Arterial-phase contrast-enhanced abdominal CT, axial slice 514 of 673 (counted from the lowest slice); tube voltage 140 kVp, convolution kernel I30f; slices 1.00 mm thick, 0.957 mm per pixel.
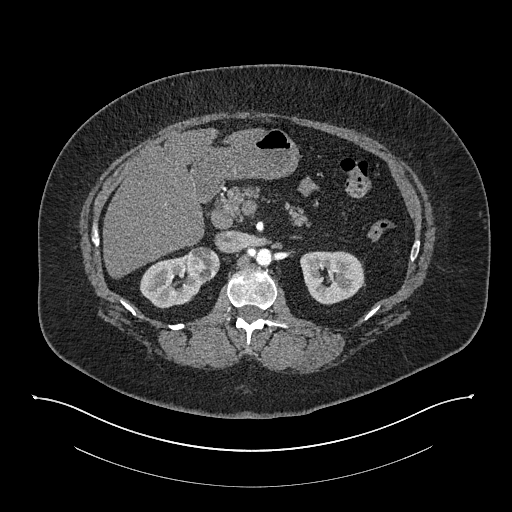
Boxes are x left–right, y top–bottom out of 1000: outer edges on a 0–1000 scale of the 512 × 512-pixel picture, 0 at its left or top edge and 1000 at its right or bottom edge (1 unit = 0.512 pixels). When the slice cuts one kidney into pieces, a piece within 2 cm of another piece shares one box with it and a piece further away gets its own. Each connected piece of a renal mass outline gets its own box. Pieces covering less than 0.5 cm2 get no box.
Two kidney boxes and one renal mass box on this slice; by box centre, from the image's left to its right: (1) Right kidney, box x 271–400, y 496–604 out of 1000 (outlined area 2,255 px, about 20.7 cm2). (2) Box x 365–432, y 482–553 out of 1000: right renal mass (outlined area 939 px, about 8.6 cm2). (3) Box x 586–715, y 490–596 out of 1000: left kidney (outlined area 2,750 px, about 25.2 cm2).